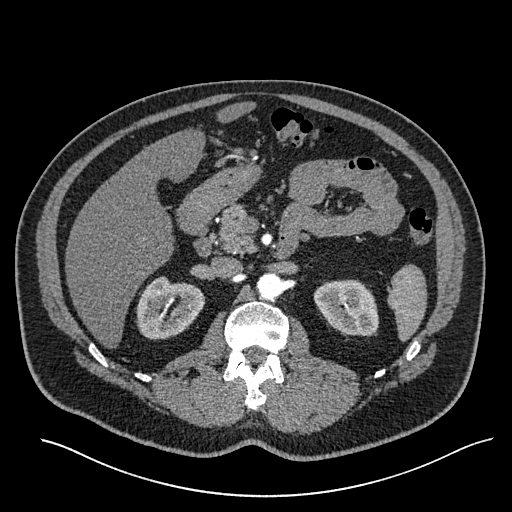
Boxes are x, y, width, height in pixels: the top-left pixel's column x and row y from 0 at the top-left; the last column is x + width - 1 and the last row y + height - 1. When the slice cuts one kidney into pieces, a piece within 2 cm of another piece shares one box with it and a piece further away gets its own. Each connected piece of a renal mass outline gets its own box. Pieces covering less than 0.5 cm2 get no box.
Arterial-phase contrast-enhanced abdominal CT, axial slice 363 of 527 (counted from the lowest slice); 1.00 mm thick, 0.859 mm per pixel. Two boxes on this slice (two kidney boxes), listed by box centre from the image's left to its right. (1) Right kidney, box x 136, y 276, width 70, height 65 (outlined area 3,172 px, about 23.4 cm2). (2) Left kidney at x 313, y 279, width 67, height 58 (outlined area 2,897 px, about 21.4 cm2).
Scan settings: 120 kVp, I30f reconstruction kernel.